Axial slice 143 of 326 of a contrast-enhanced abdominal CT in the arterial phase (slice 1 is the lowest), 120 kVp, kernel B31f; 2.00 mm slice thickness and 0.963 mm pixels.
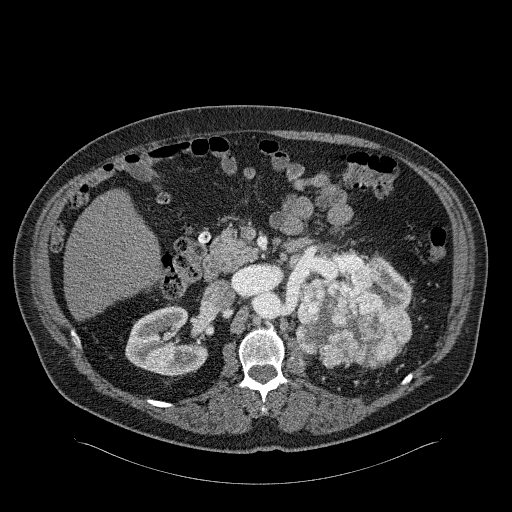
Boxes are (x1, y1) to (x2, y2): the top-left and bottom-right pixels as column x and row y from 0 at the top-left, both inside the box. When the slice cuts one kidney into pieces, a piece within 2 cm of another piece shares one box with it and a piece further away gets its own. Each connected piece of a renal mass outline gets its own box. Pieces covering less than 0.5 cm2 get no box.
Three boxes on this slice (two kidney boxes and one renal mass box), listed by box centre from the image's left to its right. (1) Box (125, 304) to (208, 376): right kidney (outlined area 4,164 px, about 38.6 cm2). (2) Left renal mass from (296, 260) to (412, 368) (outlined area 8,927 px, about 82.8 cm2). (3) Left kidney, box (365, 256) to (411, 309) (outlined area 1,382 px, about 12.8 cm2).